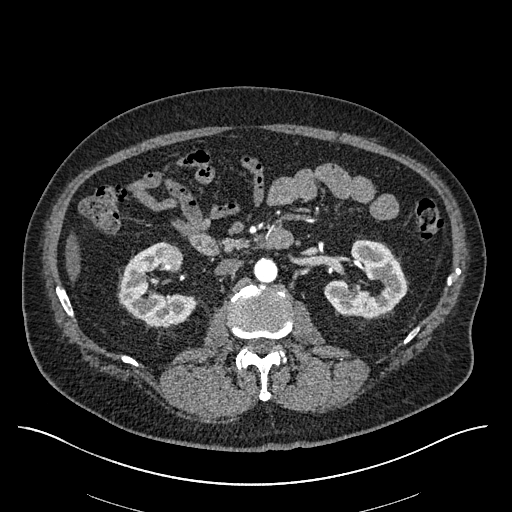
Axial slice 323 of 670 of a contrast-enhanced abdominal CT in the arterial phase (slice 1 is the lowest), 120 kVp, kernel I30f; 1.00 mm slice thickness and 0.861 mm pixels.
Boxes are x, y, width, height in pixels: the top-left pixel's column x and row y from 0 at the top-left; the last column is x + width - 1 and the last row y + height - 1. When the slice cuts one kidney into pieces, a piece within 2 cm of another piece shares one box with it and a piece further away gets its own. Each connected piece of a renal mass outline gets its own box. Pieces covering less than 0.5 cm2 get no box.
Two kidney boxes and one renal mass box on this slice; by box centre, from the image's left to its right: (1) Box x 118, y 241, width 78, height 86: right kidney (outlined area 3,724 px, about 27.6 cm2). (2) Right renal mass at x 159, y 244, width 25, height 27 (outlined area 484 px, about 3.6 cm2). (3) Left kidney at x 324, y 239, width 83, height 79 (outlined area 4,180 px, about 31.0 cm2).